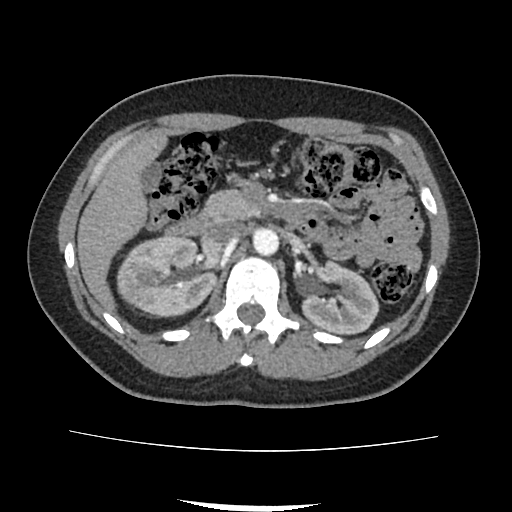
Contrast-enhanced abdominal CT, axial slice 56 of 103 (counted from the lowest slice); tube voltage 120 kVp, convolution kernel FC18; slices 3.00 mm thick, 0.714 mm per pixel.
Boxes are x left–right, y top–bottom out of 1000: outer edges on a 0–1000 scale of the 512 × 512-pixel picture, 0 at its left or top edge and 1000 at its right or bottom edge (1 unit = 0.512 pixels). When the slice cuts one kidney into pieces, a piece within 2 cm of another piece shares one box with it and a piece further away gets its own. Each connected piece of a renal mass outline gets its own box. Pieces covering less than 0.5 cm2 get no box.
Two boxes on this slice (two kidney boxes), listed by box centre from the image's left to its right. (1) Right kidney, box x 227–424, y 459–621 out of 1000 (outlined area 6,310 px, about 32.2 cm2). (2) Left kidney, box x 588–742, y 506–662 out of 1000 (outlined area 4,215 px, about 21.5 cm2). No renal mass outline on this slice.